One axial slice (483 of 626, counting up from the lowest) of an arterial-phase abdominal CT acquired with 120 kVp, kernel I30f; each pixel is 0.703 mm and the slice is 1.00 mm thick.
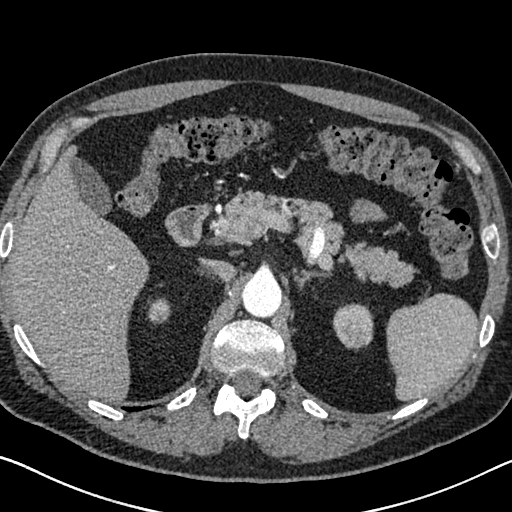
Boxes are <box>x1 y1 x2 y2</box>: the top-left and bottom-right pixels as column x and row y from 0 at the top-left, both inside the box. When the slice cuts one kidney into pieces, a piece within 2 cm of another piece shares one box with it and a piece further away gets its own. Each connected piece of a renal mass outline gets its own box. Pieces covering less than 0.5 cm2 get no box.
Two boxes on this slice (two kidney boxes), listed by box centre from the image's left to its right. (1) At <box>147 298 170 324</box>: right kidney (outlined area 477 px, about 2.4 cm2). (2) Left kidney at <box>332 303 373 350</box> (outlined area 1,520 px, about 7.5 cm2). No renal mass outline on this slice.